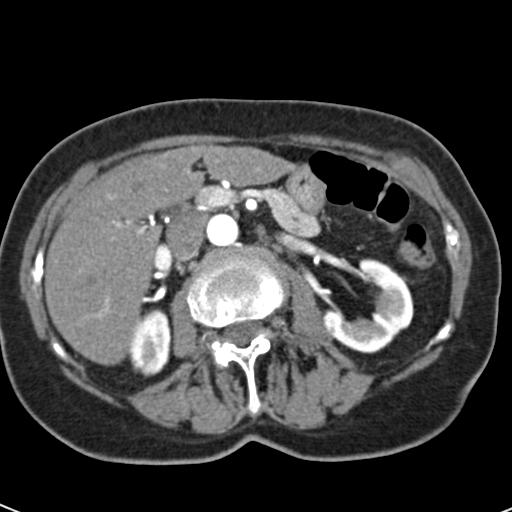
Abdominal CT with intravenous contrast, arterial phase, axial plane, 120 kVp, kernel B30f. Slice 33/53 from the bottom of the scan; thickness 3.00 mm; pixel size 0.547 mm.
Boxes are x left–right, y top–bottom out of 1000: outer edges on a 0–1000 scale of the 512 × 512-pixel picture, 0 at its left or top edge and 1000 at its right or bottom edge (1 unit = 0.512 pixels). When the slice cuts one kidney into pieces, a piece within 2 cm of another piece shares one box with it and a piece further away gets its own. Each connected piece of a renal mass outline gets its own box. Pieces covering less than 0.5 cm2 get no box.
Two kidney boxes on this slice; by box centre, from the image's left to its right: (1) Right kidney, box x 248–336, y 602–736 out of 1000 (outlined area 2,340 px, about 7.0 cm2). (2) Left kidney, box x 627–809, y 504–691 out of 1000 (outlined area 4,750 px, about 14.2 cm2). This slice carries no renal mass outline.